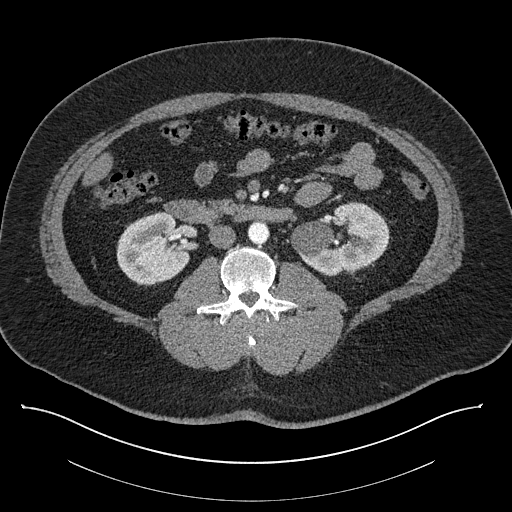
Abdominal CT with intravenous contrast, axial plane, 140 kVp, kernel I30f. Slice 457/787 from the bottom of the scan; thickness 1.00 mm; pixel size 0.910 mm.
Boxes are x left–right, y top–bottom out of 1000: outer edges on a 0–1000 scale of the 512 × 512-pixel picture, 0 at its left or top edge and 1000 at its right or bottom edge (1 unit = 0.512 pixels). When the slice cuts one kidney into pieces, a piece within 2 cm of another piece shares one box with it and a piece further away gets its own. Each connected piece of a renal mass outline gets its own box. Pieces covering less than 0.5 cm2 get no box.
Two kidney boxes on this slice; by box centre, from the image's left to its right: (1) Right kidney, box x 227–371, y 412–559 out of 1000 (outlined area 4,072 px, about 33.7 cm2). (2) Box x 566–762, y 393–539 out of 1000: left kidney (outlined area 5,075 px, about 42.0 cm2). No renal mass outline on this slice.